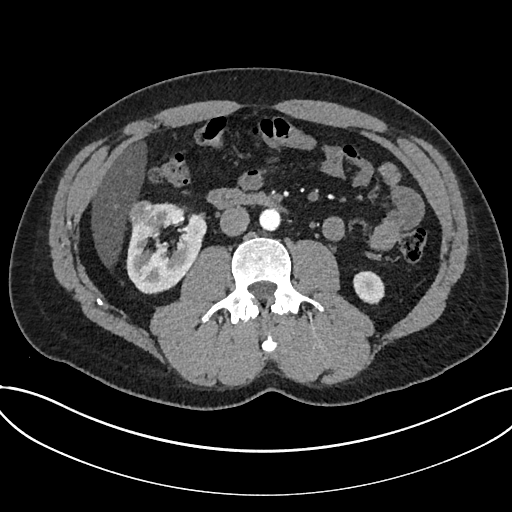
Arterial-phase contrast-enhanced abdominal CT, axial slice 363 of 735 (counted from the lowest slice); tube voltage 120 kVp, convolution kernel I30f; slices 1.00 mm thick, 0.789 mm per pixel.
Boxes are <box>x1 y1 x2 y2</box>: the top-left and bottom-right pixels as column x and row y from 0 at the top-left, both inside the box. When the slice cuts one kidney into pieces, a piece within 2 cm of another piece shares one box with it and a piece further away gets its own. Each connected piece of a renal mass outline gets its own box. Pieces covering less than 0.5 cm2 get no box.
Boxed on this slice (two kidney boxes and one renal mass box), listed by box centre from the image's left to its right: (1) Renal mass at <box>127 200 159 228</box> (outlined area 728 px, about 4.5 cm2). (2) Kidney: <box>126 202 206 294</box> (outlined area 4,704 px, about 29.3 cm2). (3) Kidney: <box>353 271 384 304</box> (outlined area 838 px, about 5.2 cm2).